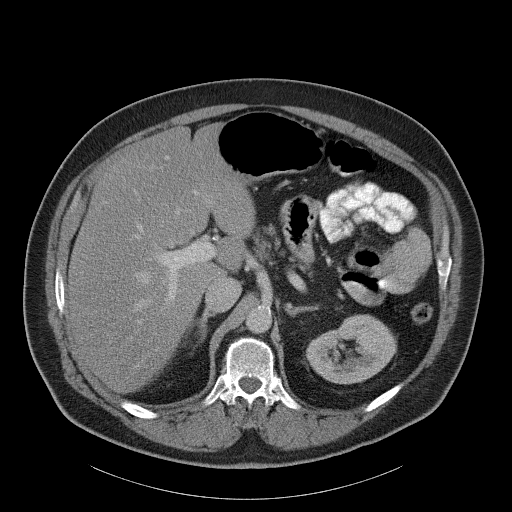
Contrast-enhanced abdominal CT, axial slice 76 of 107 (counted from the lowest slice); tube voltage 120 kVp, convolution kernel B31f; slices 5.00 mm thick, 0.941 mm per pixel.
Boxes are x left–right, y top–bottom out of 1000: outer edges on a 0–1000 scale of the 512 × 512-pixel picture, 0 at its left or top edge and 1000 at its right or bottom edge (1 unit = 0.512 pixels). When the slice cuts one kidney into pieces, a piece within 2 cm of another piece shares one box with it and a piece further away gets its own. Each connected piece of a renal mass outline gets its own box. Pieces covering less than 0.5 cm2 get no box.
Left kidney, box x 596–775, y 613–752 out of 1000 (outlined area 4,455 px, about 39.5 cm2). No renal mass outline on this slice.